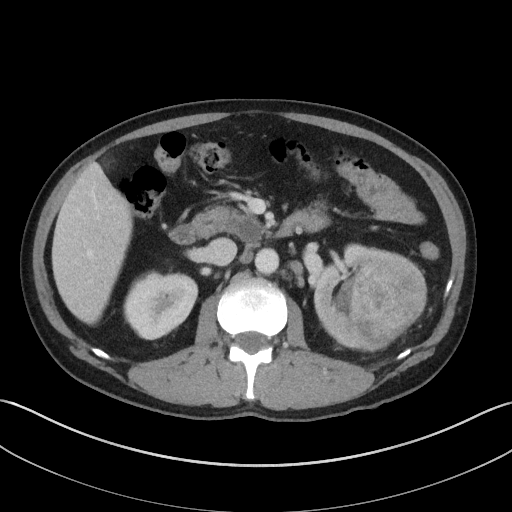
Abdominal CT with intravenous contrast, axial plane, 100 kVp, kernel I41f. Slice 67/143 from the bottom of the scan; thickness 5.00 mm; pixel size 0.734 mm.
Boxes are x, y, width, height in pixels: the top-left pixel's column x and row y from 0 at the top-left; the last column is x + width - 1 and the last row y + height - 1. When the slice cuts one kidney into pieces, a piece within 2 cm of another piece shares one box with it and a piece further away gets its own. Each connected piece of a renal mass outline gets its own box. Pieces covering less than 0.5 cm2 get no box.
Two kidney boxes and one renal mass box on this slice; by box centre, from the image's left to its right: (1) Right kidney, box x 123, y 270, width 76, height 71 (outlined area 3,903 px, about 21.0 cm2). (2) Left kidney at x 314, y 243, width 89, height 110 (outlined area 4,403 px, about 23.7 cm2). (3) Left renal mass at x 352, y 251, width 76, height 83 (outlined area 4,830 px, about 26.0 cm2).